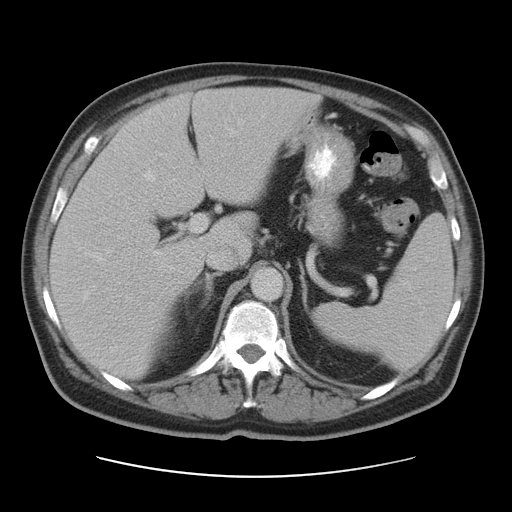
Axial slice 74 of 95 of a contrast-enhanced abdominal CT (slice 1 is the lowest), 120 kVp, kernel STANDARD; 5.00 mm slice thickness and 0.781 mm pixels.
Outside the outlined region: no kidney outline and no renal mass outline on this slice. The scan's outlines cover only kidneys and renal masses; no other organ is outlined.